Arterial-phase contrast-enhanced abdominal CT, axial slice 85 of 114 (counted from the lowest slice); tube voltage 120 kVp, convolution kernel B31f; slices 5.00 mm thick, 0.781 mm per pixel.
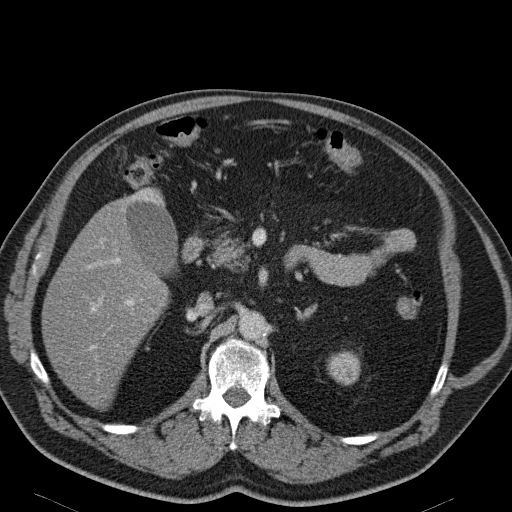
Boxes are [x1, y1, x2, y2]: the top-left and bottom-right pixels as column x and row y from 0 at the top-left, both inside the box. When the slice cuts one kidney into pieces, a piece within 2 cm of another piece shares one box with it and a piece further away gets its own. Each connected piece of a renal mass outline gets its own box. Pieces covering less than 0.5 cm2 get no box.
Left renal mass, box [327, 351, 360, 385] (outlined area 923 px, about 5.6 cm2); this slice has no kidney outline, though on another slice the same outlined renal mass lies within 1 cm of the kidney.